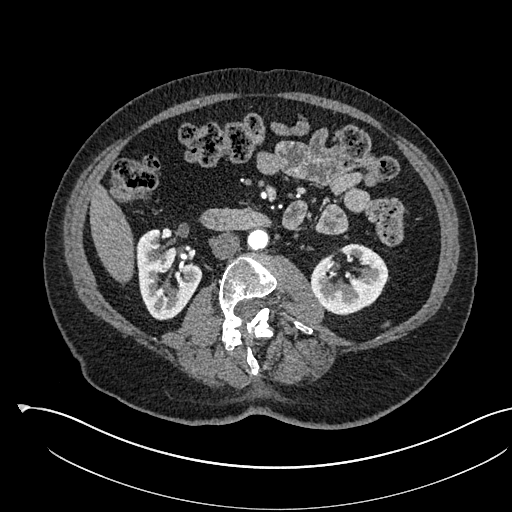
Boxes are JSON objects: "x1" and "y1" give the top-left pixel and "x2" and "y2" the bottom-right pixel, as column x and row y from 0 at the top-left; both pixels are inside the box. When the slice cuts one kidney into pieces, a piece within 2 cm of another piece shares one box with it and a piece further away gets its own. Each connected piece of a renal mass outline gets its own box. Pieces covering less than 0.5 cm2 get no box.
Slice 286/541 of a contrast-enhanced abdominal CT in the arterial phase, counting up from the lowest; pixel size 0.834 mm, slice thickness 1.00 mm. Two boxes on this slice (two kidney boxes), listed by box centre from the image's left to its right. (1) Right kidney, box {"x1": 136, "y1": 228, "x2": 202, "y2": 320} (outlined area 4,048 px, about 28.2 cm2). (2) Left kidney, box {"x1": 310, "y1": 243, "x2": 388, "y2": 315} (outlined area 3,817 px, about 26.5 cm2). This slice carries no renal mass outline.
Tube voltage 120 kVp; convolution kernel I30f.